Contrast-enhanced abdominal CT, axial slice 617 of 834 (counted from the lowest slice); tube voltage 140 kVp, convolution kernel I30f; slices 1.00 mm thick, 0.977 mm per pixel.
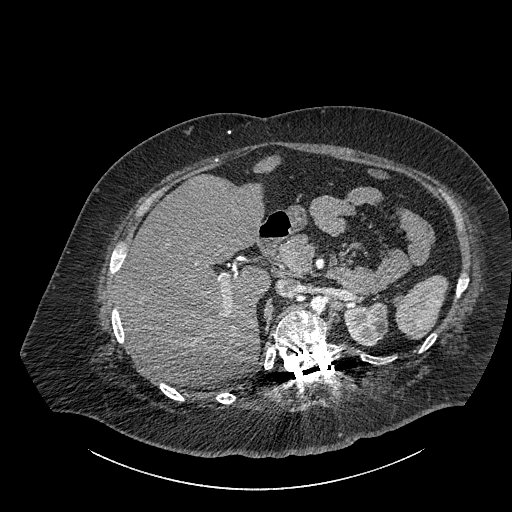
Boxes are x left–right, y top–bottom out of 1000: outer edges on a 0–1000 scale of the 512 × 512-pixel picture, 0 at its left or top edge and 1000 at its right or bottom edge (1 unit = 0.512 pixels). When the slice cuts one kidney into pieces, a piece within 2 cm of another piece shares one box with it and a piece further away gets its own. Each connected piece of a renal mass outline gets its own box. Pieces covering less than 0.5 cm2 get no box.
Box x 670–760, y 590–678 out of 1000: left part of the midline-crossing kidney (outlined area 1,548 px, about 14.8 cm2). No renal mass outline on this slice.